Contrast-enhanced abdominal CT, axial slice 64 of 90 (counted from the lowest slice); tube voltage 120 kVp, convolution kernel B41f; slices 5.00 mm thick, 0.781 mm per pixel.
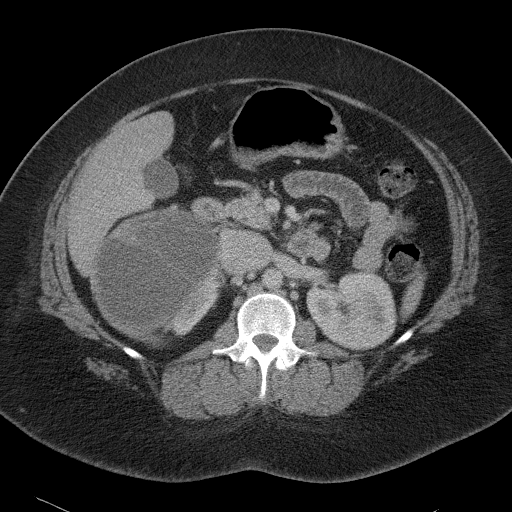
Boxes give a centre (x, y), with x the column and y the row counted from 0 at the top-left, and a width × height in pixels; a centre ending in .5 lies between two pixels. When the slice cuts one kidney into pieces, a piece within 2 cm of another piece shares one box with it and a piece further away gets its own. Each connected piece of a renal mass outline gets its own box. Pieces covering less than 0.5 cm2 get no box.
Boxed on this slice (two kidney boxes and one renal mass box), listed by box centre from the image's left to its right: (1) Box centre (155.5, 268.5), 128 × 124 pixels: right renal mass (outlined area 11,526 px, about 70.3 cm2). (2) Box centre (193.5, 291.5), 62 × 90 pixels: right kidney (outlined area 1,849 px, about 11.3 cm2). (3) Box centre (351.5, 310), 92 × 81 pixels: left kidney (outlined area 5,582 px, about 34.1 cm2).